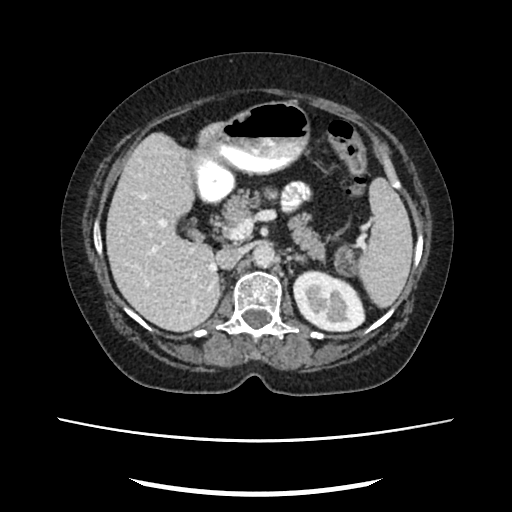
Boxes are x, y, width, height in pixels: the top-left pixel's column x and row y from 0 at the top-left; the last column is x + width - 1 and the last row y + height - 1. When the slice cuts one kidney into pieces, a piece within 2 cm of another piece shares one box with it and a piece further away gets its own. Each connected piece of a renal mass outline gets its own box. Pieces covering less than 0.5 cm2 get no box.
Slice 151/207 of a contrast-enhanced abdominal CT in the arterial phase, counting up from the lowest; pixel size 0.741 mm, slice thickness 2.00 mm. Box x 292, y 270, width 74, height 63: left kidney (outlined area 3,420 px, about 18.8 cm2). This slice carries no renal mass outline.
Scan settings: 120 kVp, FC18 reconstruction kernel.